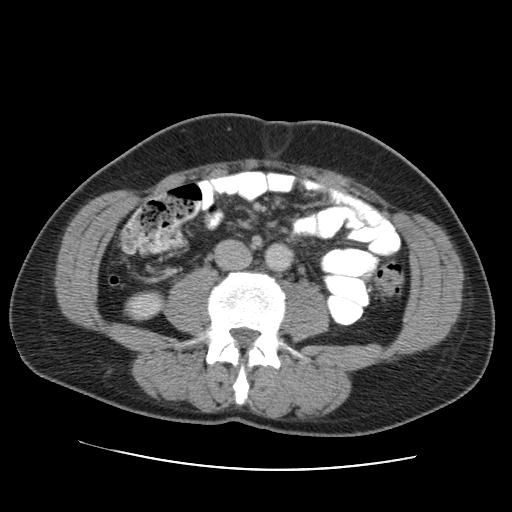
Axial slice 57 of 105 of a contrast-enhanced abdominal CT in the arterial phase (slice 1 is the lowest), 120 kVp, kernel STANDARD; 5.00 mm slice thickness and 0.707 mm pixels.
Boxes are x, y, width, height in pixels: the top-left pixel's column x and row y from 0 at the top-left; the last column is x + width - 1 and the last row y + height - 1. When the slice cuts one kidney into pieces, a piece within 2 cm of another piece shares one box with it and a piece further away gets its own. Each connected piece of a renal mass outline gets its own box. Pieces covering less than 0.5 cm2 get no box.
Box x 124, y 290, width 41, height 32: right kidney (outlined area 979 px, about 4.9 cm2). No renal mass is outlined on this slice.